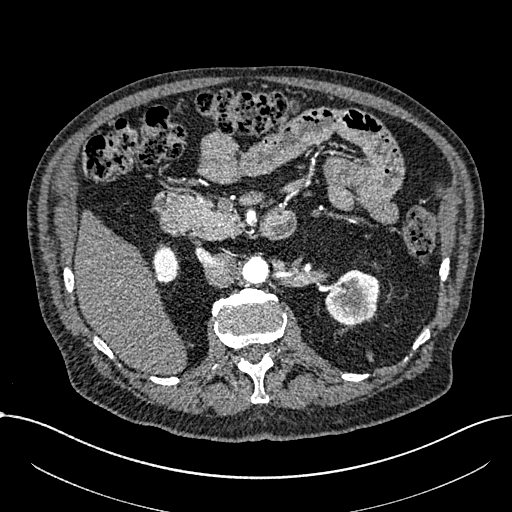
Abdominal CT with intravenous contrast, arterial phase, axial plane, 100 kVp, kernel I30f. Slice 426/1059 from the bottom of the scan; thickness 1.00 mm; pixel size 0.811 mm.
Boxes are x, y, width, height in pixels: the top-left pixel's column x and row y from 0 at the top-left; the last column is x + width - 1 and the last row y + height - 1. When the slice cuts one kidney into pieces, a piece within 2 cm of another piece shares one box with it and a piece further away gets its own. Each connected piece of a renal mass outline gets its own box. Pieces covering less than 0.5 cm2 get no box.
Boxed on this slice (two kidney boxes), listed by box centre from the image's left to its right: (1) Right part of the midline-crossing kidney, box x 152, y 247, width 27, height 38 (outlined area 759 px, about 5.0 cm2). (2) Left part of the midline-crossing kidney at x 325, y 269, width 55, height 57 (outlined area 2,357 px, about 15.5 cm2). No renal mass outline on this slice.